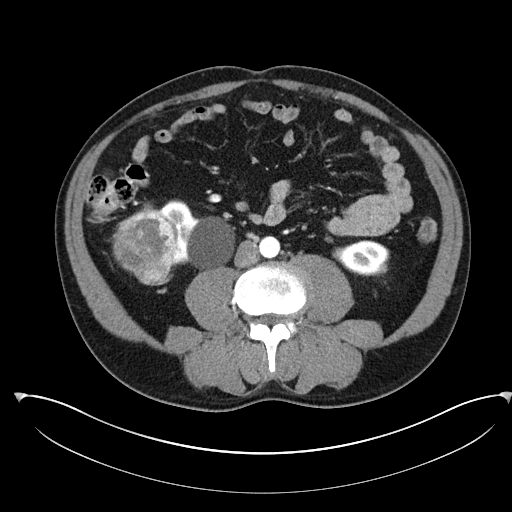
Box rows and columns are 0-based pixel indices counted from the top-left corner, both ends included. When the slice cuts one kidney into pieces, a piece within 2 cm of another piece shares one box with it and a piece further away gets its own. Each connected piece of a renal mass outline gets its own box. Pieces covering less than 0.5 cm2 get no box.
Slice 113/302 of a contrast-enhanced abdominal CT in the arterial phase, counting up from the lowest; pixel size 0.875 mm, slice thickness 5.00 mm. Two kidney boxes and one renal mass box on this slice; by box centre, from the image's left to its right: (1) Right renal mass at rows 203–285, columns 111–178 (outlined area 3,970 px, about 30.4 cm2). (2) Right kidney, box rows 199–267, columns 159–234 (outlined area 3,101 px, about 23.7 cm2). (3) Left kidney, box rows 240–276, columns 332–389 (outlined area 1,571 px, about 12.0 cm2).
Acquired at 100 kVp and reconstructed with the I30f kernel.